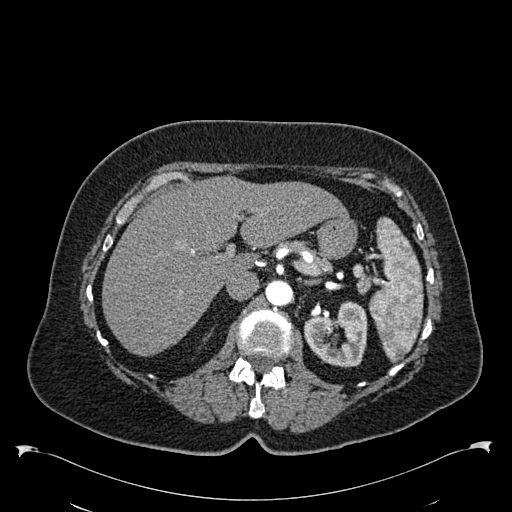
Arterial-phase contrast-enhanced abdominal CT, axial slice 394 of 538 (counted from the lowest slice); tube voltage 120 kVp, convolution kernel B30f; slices 1.00 mm thick, 0.811 mm per pixel.
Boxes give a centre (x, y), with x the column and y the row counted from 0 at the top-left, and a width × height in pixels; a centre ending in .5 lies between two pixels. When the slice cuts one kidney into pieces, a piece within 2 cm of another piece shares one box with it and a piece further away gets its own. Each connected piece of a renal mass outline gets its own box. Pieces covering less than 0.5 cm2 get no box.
Box centre (335.5, 333.5), 64 × 68 pixels: left kidney (outlined area 3,059 px, about 20.1 cm2). This slice carries no renal mass outline.